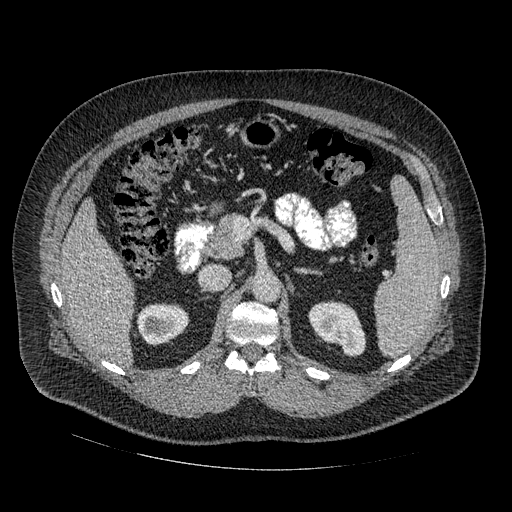
Arterial-phase contrast-enhanced abdominal CT, axial slice 305 of 445 (counted from the lowest slice); tube voltage 120 kVp, convolution kernel STANDARD; slices 1.25 mm thick, 0.863 mm per pixel.
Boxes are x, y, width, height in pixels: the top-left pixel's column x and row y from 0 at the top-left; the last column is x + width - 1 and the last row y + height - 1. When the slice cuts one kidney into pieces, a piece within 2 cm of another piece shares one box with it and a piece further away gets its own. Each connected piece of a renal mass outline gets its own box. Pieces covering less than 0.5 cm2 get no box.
Two boxes on this slice (two kidney boxes), listed by box centre from the image's left to its right. (1) Right kidney at x 137, y 304, width 53, height 40 (outlined area 1,670 px, about 12.4 cm2). (2) Left kidney, box x 308, y 300, width 59, height 57 (outlined area 2,215 px, about 16.5 cm2). This slice carries no renal mass outline.